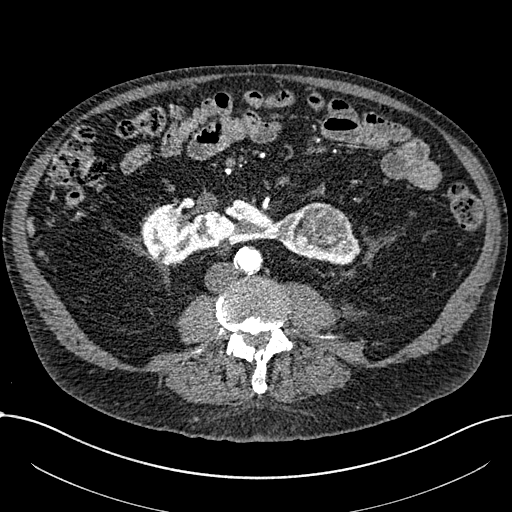
One axial slice (291 of 1059, counting up from the lowest) of an arterial-phase abdominal CT acquired with 100 kVp, kernel I30f; each pixel is 0.811 mm and the slice is 1.00 mm thick.
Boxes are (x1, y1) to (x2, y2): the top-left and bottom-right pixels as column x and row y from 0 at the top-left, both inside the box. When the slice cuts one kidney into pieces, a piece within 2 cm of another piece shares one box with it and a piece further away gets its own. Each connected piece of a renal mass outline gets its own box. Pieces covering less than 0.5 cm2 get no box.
Two boxes on this slice (one kidney box and one renal mass box), listed by box centre from the image's left to its right. (1) Kidney crossing the body midline, box (141, 198) to (360, 265) (outlined area 7,885 px, about 51.8 cm2). (2) Box (294, 202) to (350, 249): renal mass (outlined area 2,008 px, about 13.2 cm2).